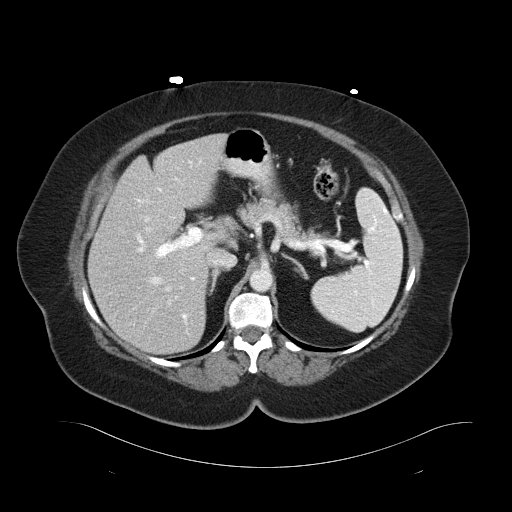
Slice 70/93 of a contrast-enhanced abdominal CT, counting up from the lowest; pixel size 0.938 mm, slice thickness 5.00 mm. Outside the outlined region: no kidney outline and no renal mass outline on this slice. The scan's outlines cover only kidneys and renal masses; no other organ is outlined.
Tube voltage 120 kVp; convolution kernel B30f.